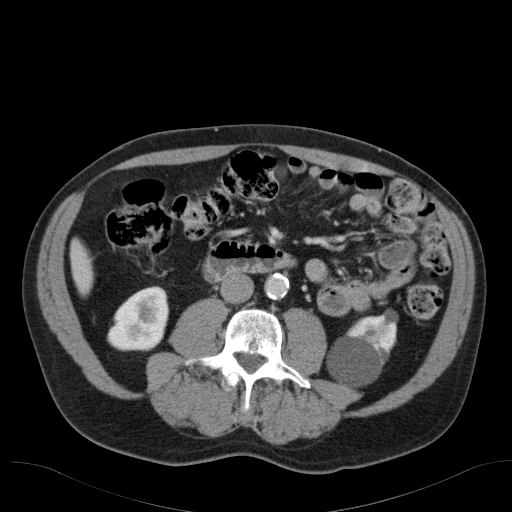
Arterial-phase contrast-enhanced abdominal CT, axial slice 59 of 98 (counted from the lowest slice); tube voltage 120 kVp, convolution kernel B31f; slices 5.00 mm thick, 0.764 mm per pixel.
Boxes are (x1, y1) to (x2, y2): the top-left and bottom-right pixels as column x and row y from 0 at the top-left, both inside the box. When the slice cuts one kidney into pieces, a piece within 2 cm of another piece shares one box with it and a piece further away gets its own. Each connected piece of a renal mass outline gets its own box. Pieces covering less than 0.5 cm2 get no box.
Two kidney boxes on this slice; by box centre, from the image's left to its right: (1) Right kidney from (107, 286) to (168, 351) (outlined area 3,046 px, about 17.8 cm2). (2) Left kidney from (327, 309) to (397, 387) (outlined area 3,655 px, about 21.3 cm2). No renal mass is outlined on this slice.